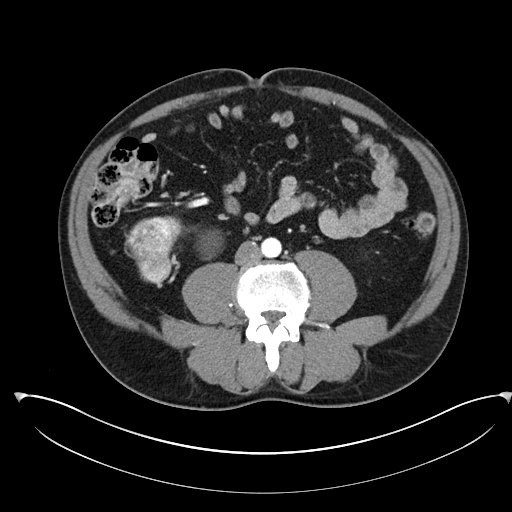
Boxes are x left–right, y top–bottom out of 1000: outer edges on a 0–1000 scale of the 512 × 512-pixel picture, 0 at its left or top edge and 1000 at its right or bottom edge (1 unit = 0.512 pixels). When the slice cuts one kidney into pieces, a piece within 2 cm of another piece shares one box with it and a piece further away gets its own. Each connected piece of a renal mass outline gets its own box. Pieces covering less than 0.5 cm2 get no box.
Arterial-phase contrast-enhanced abdominal CT, axial slice 108 of 302 (counted from the lowest slice); 5.00 mm thick, 0.875 mm per pixel. Boxed on this slice (one kidney box and one renal mass box), listed by box centre from the image's left to its right: (1) Right renal mass at x 250–355, y 422–555 out of 1000 (outlined area 2,513 px, about 19.2 cm2); it sits over 1 cm from every kidney outline on this slice, but the same outlined renal mass comes within 1 cm of the kidney on another slice. (2) Box x 387–436, y 449–502 out of 1000: right kidney (outlined area 498 px, about 3.8 cm2).
Acquired at 100 kVp and reconstructed with the I30f kernel.